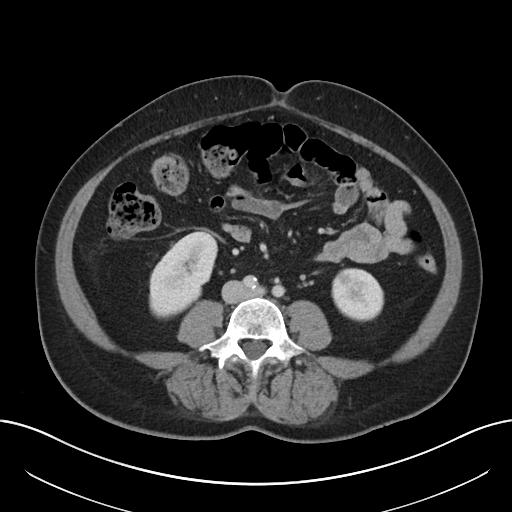
Abdominal CT with intravenous contrast, axial plane, 120 kVp, kernel I30f. Slice 95/197 from the bottom of the scan; thickness 5.00 mm; pixel size 0.791 mm.
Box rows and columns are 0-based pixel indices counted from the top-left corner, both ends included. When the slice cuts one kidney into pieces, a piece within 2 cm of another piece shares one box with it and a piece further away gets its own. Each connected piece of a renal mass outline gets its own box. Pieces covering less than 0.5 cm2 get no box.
Two boxes on this slice (two kidney boxes), listed by box centre from the image's left to its right. (1) Right kidney, box rows 228–319, columns 149–217 (outlined area 4,207 px, about 26.3 cm2). (2) Left kidney, box rows 268–321, columns 331–384 (outlined area 2,267 px, about 14.2 cm2). No renal mass is outlined on this slice.